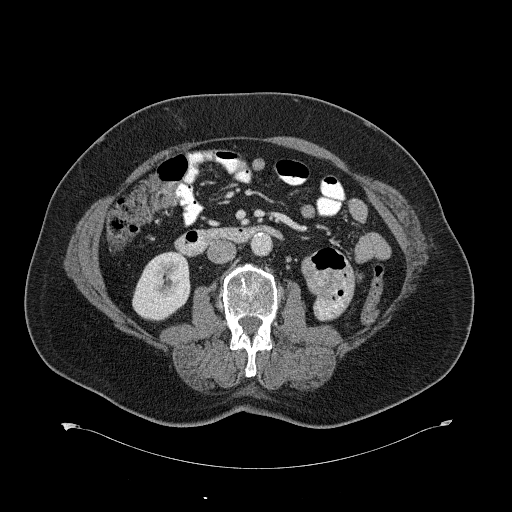
Contrast-enhanced abdominal CT, axial slice 331 of 734 (counted from the lowest slice); tube voltage 120 kVp, convolution kernel B31f; slices 2.00 mm thick, 0.971 mm per pixel.
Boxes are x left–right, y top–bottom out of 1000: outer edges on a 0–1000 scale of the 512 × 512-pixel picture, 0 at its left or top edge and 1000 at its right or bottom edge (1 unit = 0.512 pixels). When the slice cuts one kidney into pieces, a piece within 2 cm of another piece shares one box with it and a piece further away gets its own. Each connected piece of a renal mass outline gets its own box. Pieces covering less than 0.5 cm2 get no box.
Box x 258–373, y 490–629 out of 1000: right kidney (outlined area 3,051 px, about 28.7 cm2). No renal mass outline on this slice.